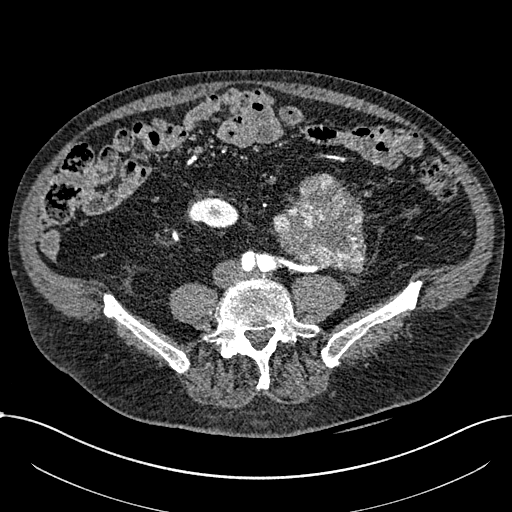
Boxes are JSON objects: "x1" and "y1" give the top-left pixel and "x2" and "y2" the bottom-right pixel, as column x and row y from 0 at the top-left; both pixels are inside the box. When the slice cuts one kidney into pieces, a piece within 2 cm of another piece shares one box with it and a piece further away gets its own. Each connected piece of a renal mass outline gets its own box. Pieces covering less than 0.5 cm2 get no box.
Slice 209/1059 of a contrast-enhanced abdominal CT in the arterial phase, counting up from the lowest; pixel size 0.811 mm, slice thickness 1.00 mm. Boxed on this slice (one kidney box and one renal mass box), listed by box centre from the image's left to its right: (1) Box {"x1": 188, "y1": 197, "x2": 238, "y2": 228}: right part of the midline-crossing kidney (outlined area 1,163 px, about 7.6 cm2). (2) Renal mass, box {"x1": 272, "y1": 173, "x2": 366, "y2": 273} (outlined area 6,563 px, about 43.1 cm2); on this slice it lies more than 1 cm from any kidney outline, but the same outlined renal mass comes within 1 cm of the kidney on another slice.
Scan settings: 100 kVp, I30f reconstruction kernel.